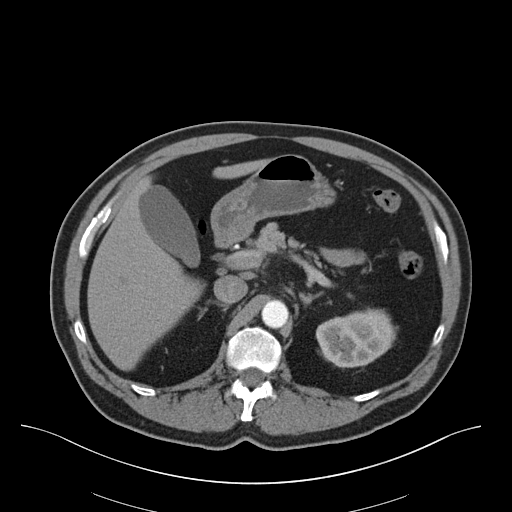
Contrast-enhanced abdominal CT, axial slice 44 of 75 (counted from the lowest slice); tube voltage 140 kVp, convolution kernel B30f; slices 3.00 mm thick, 0.875 mm per pixel.
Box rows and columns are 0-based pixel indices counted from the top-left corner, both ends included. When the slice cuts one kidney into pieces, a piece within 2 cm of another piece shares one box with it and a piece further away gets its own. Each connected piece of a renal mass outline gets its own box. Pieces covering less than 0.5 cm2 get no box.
Box rows 308–368, columns 315–397: left kidney (outlined area 3,631 px, about 27.8 cm2). This slice carries no renal mass outline.